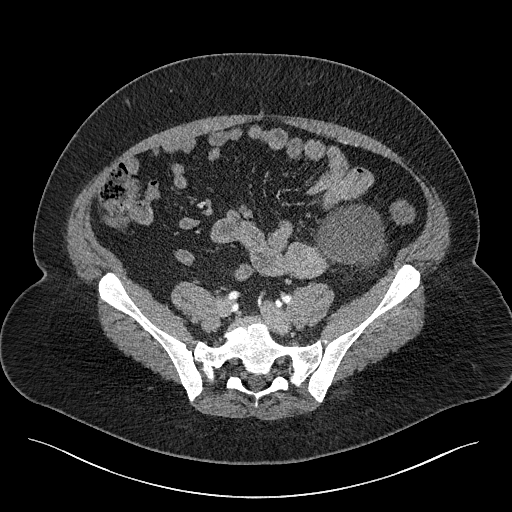
Abdominal CT with intravenous contrast, axial plane, 120 kVp, kernel I40f. Slice 28/301 from the bottom of the scan; thickness 2.00 mm; pixel size 0.859 mm.
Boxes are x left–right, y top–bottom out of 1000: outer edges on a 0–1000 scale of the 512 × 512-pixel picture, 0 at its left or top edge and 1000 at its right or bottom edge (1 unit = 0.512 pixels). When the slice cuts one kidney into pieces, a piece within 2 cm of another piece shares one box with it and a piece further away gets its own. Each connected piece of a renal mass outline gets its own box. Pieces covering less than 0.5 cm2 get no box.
Box x 613–758, y 398–521 out of 1000: left renal mass (outlined area 3,472 px, about 25.6 cm2); no kidney is outlined on this slice, but the same outlined renal mass comes within 1 cm of the kidney on another slice.